One axial slice (527 of 735, counting up from the lowest) of an arterial-phase abdominal CT acquired with 120 kVp, kernel I30f; each pixel is 0.789 mm and the slice is 1.00 mm thick.
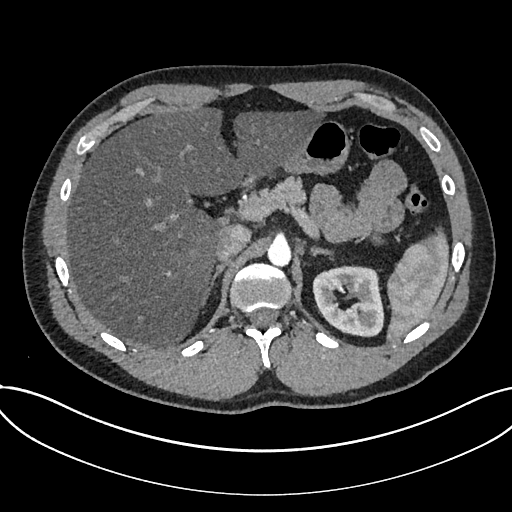
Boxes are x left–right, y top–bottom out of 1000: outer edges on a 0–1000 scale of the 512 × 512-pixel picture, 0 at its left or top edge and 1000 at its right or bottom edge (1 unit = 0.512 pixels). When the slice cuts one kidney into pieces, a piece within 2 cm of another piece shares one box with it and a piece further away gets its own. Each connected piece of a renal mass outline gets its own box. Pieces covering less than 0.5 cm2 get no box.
Box x 609–752, y 518–660 out of 1000: kidney (outlined area 3,959 px, about 24.6 cm2). No renal mass is outlined on this slice.